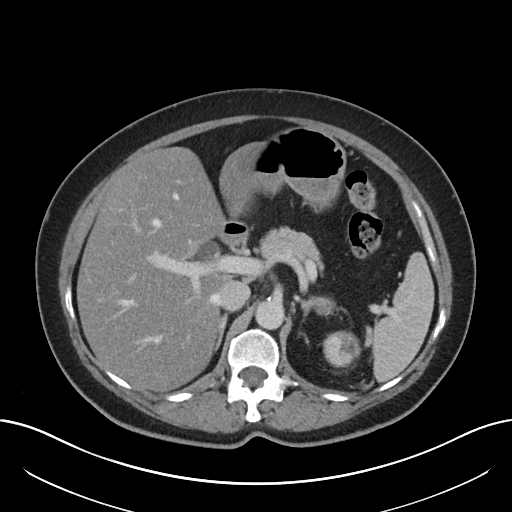
One axial slice (139 of 197, counting up from the lowest) of a contrast-enhanced abdominal CT acquired with 120 kVp, kernel I30f; each pixel is 0.791 mm and the slice is 5.00 mm thick.
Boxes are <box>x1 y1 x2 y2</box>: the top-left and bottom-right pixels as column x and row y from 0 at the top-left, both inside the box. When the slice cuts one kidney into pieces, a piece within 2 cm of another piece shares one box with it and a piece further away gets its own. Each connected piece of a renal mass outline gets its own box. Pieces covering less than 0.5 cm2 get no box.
Left renal mass: <box>322 331 361 367</box> (outlined area 1,130 px, about 7.1 cm2); no kidney outline appears on this slice, but the same outlined renal mass comes within 1 cm of the kidney on another slice.